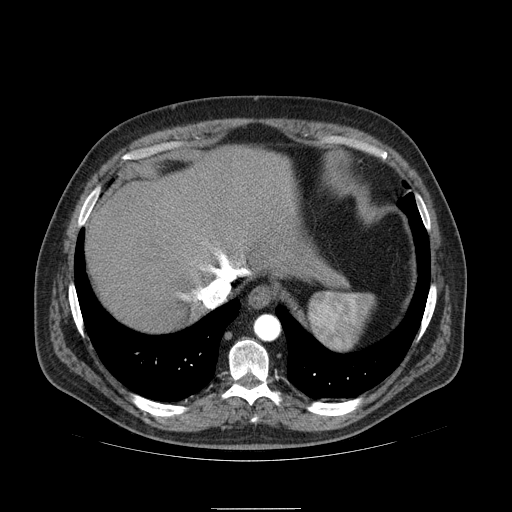
This is axial slice 98 of 121 (slice 1 is the lowest) of an arterial-phase abdominal CT with contrast; each pixel is 0.861 mm and the slice is 2.50 mm thick. Outside the outlined region: no kidney outline and no renal mass outline on this slice. The scan's outlines cover only kidneys and renal masses; no other organ is outlined.
Scan settings: 120 kVp, STANDARD reconstruction kernel.